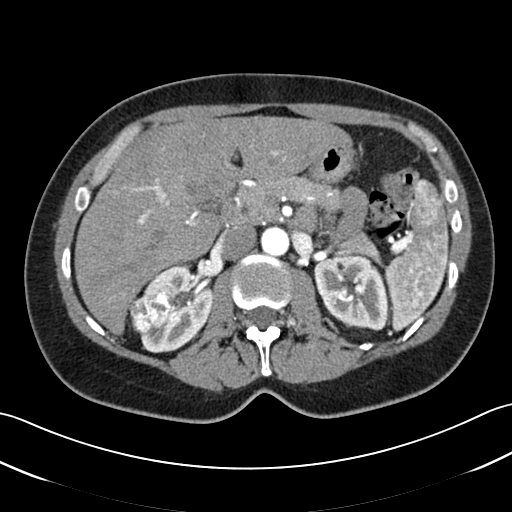
Axial slice 29 of 52 of a contrast-enhanced abdominal CT in the arterial phase (slice 1 is the lowest), 120 kVp, kernel B30f; 3.00 mm slice thickness and 0.678 mm pixels.
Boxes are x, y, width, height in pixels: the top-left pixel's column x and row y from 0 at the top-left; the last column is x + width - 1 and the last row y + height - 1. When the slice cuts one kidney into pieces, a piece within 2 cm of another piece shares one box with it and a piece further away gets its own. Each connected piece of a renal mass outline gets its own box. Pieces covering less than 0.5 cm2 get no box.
Two kidney boxes and one renal mass box on this slice; by box centre, from the image's left to its right: (1) Right renal mass at x 128, y 289, width 47, height 48 (outlined area 1,566 px, about 7.2 cm2). (2) Box x 141, y 265, width 73, height 89: right kidney (outlined area 3,705 px, about 17.0 cm2). (3) Box x 314, y 255, width 76, height 76: left kidney (outlined area 4,395 px, about 20.2 cm2).